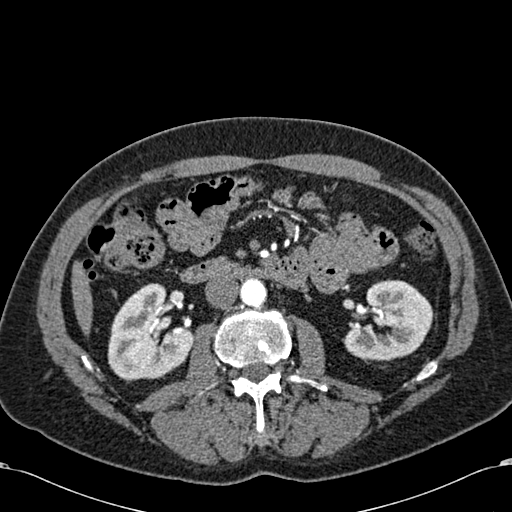
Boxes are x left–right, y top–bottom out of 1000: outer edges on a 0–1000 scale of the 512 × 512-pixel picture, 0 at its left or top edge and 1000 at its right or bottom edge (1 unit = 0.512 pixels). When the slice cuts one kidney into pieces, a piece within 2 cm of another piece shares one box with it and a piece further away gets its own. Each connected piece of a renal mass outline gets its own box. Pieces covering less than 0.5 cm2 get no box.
Slice 327/581 of a contrast-enhanced abdominal CT in the arterial phase, counting up from the lowest; pixel size 0.713 mm, slice thickness 1.00 mm. Two boxes on this slice (two kidney boxes), listed by box centre from the image's left to its right. (1) Right kidney, box x 209–379, y 553–744 out of 1000 (outlined area 5,930 px, about 30.1 cm2). (2) Left kidney at x 668–848, y 545–705 out of 1000 (outlined area 5,170 px, about 26.3 cm2). No renal mass outline on this slice.
Scan settings: 120 kVp, B30f reconstruction kernel.